Axial slice 312 of 439 of a contrast-enhanced abdominal CT (slice 1 is the lowest), 100 kVp, kernel I40f; 2.00 mm slice thickness and 0.850 mm pixels.
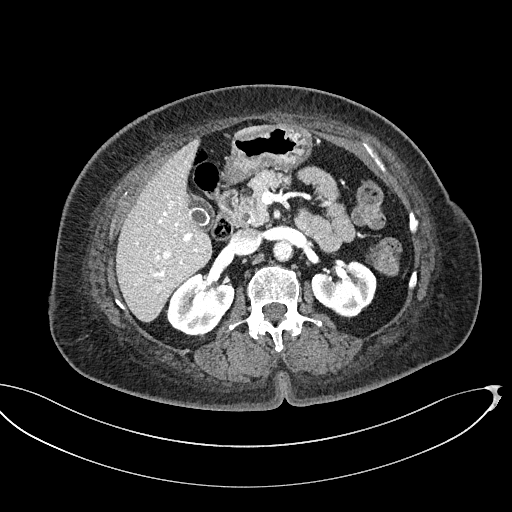
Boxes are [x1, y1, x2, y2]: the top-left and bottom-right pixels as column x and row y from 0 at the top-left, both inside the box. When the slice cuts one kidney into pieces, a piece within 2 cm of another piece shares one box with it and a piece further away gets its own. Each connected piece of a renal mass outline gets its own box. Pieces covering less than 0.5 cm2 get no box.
Two boxes on this slice (two kidney boxes), listed by box centre from the image's left to its right. (1) Right kidney, box [166, 273, 234, 336] (outlined area 3,059 px, about 22.1 cm2). (2) Left kidney, box [311, 261, 376, 318] (outlined area 2,685 px, about 19.4 cm2). No renal mass is outlined on this slice.